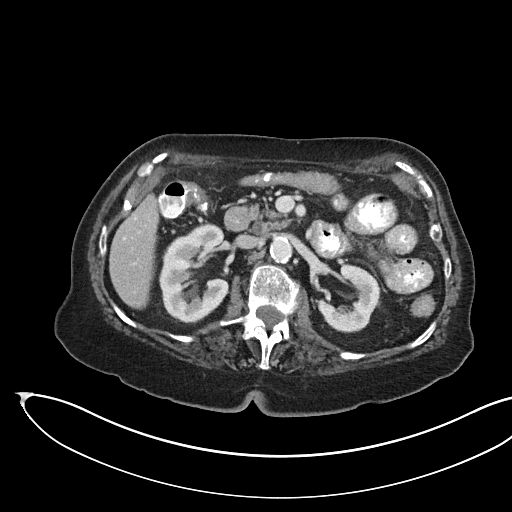
Abdominal CT with intravenous contrast, arterial phase, axial plane, 100 kVp, kernel I40f. Slice 101/145 from the bottom of the scan; thickness 3.00 mm; pixel size 0.834 mm.
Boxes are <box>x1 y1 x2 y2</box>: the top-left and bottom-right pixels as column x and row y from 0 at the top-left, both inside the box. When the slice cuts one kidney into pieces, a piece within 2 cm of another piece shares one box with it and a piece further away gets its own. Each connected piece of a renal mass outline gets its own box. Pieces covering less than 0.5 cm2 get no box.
Boxed on this slice (two kidney boxes), listed by box centre from the image's left to its right: (1) At <box>159 224 228 322</box>: kidney (outlined area 4,846 px, about 33.7 cm2). (2) At <box>318 264 379 331</box>: kidney (outlined area 2,651 px, about 18.4 cm2). This slice carries no renal mass outline.